Axial slice 423 of 738 of a contrast-enhanced abdominal CT in the arterial phase (slice 1 is the lowest), 120 kVp, kernel I30f; 1.00 mm slice thickness and 0.789 mm pixels.
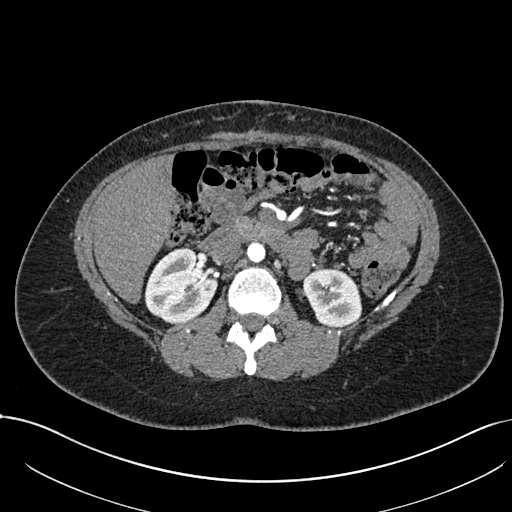
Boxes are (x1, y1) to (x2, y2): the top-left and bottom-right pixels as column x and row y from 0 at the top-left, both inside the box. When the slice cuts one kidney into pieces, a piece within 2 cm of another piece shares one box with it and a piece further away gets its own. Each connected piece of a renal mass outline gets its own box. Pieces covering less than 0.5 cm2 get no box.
Boxed on this slice (two kidney boxes), listed by box centre from the image's left to its right: (1) Box (144, 247) to (217, 323): right kidney (outlined area 4,069 px, about 25.3 cm2). (2) Left kidney, box (303, 268) to (362, 327) (outlined area 2,718 px, about 16.9 cm2). This slice carries no renal mass outline.